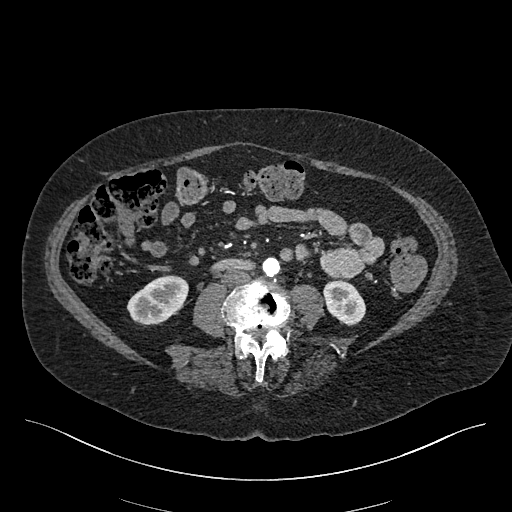
One axial slice (170 of 548, counting up from the lowest) of an arterial-phase abdominal CT acquired with 120 kVp, kernel I26f; each pixel is 0.852 mm and the slice is 1.00 mm thick.
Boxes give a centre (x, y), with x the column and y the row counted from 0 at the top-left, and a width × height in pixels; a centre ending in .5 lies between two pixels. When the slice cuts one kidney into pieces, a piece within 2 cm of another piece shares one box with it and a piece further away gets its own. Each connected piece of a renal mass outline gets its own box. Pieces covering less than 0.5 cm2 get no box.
Two boxes on this slice (two kidney boxes), listed by box centre from the image's left to its right. (1) Box centre (157.5, 300), 62 × 51 pixels: right kidney (outlined area 2,181 px, about 15.8 cm2). (2) Left kidney, box centre (344, 302), 43 × 47 pixels (outlined area 1,474 px, about 10.7 cm2). No renal mass outline on this slice.